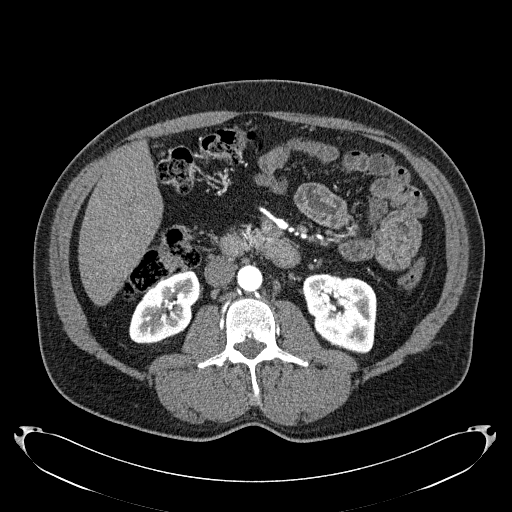
Arterial-phase contrast-enhanced abdominal CT, axial slice 103 of 279 (counted from the lowest slice); tube voltage 120 kVp, convolution kernel B31f; slices 2.00 mm thick, 0.824 mm per pixel.
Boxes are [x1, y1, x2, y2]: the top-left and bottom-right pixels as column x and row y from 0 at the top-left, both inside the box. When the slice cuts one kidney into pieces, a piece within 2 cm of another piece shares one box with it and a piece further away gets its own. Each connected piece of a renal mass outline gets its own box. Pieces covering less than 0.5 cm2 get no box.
Boxed on this slice (two kidney boxes), listed by box centre from the image's left to its right: (1) Box [129, 268, 199, 343]: right kidney (outlined area 3,587 px, about 24.4 cm2). (2) Left kidney, box [301, 273, 376, 353] (outlined area 4,656 px, about 31.6 cm2). No renal mass is outlined on this slice.